Arterial-phase contrast-enhanced abdominal CT, axial slice 388 of 735 (counted from the lowest slice); tube voltage 120 kVp, convolution kernel I30f; slices 1.00 mm thick, 0.789 mm per pixel.
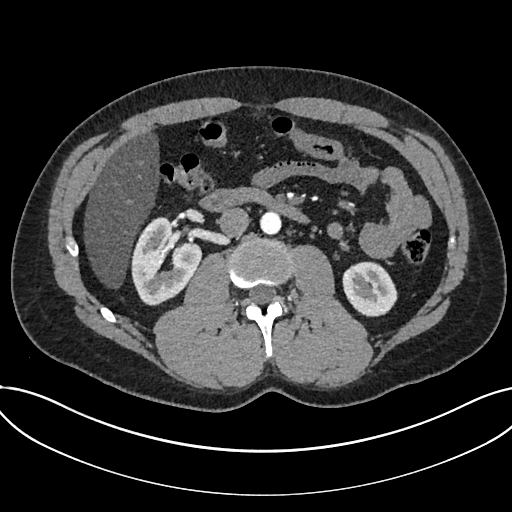
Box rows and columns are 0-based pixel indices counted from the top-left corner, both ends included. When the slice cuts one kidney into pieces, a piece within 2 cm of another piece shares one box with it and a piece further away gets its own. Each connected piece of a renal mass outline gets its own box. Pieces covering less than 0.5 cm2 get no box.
Boxed on this slice (two kidney boxes), listed by box centre from the image's left to its right: (1) Box rows 216–305, columns 131–201: kidney (outlined area 4,315 px, about 26.9 cm2). (2) Box rows 261–316, columns 342–397: kidney (outlined area 2,364 px, about 14.7 cm2). No renal mass outline on this slice.